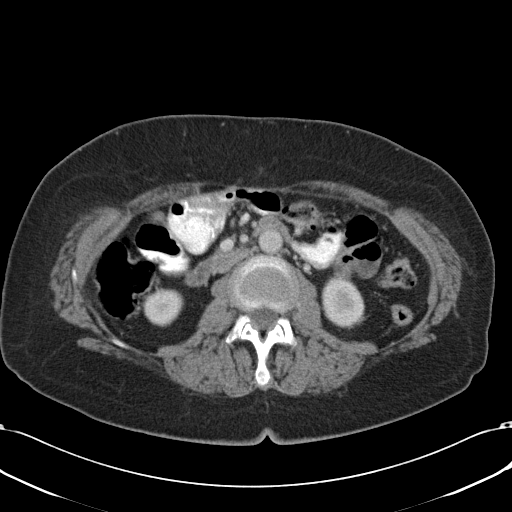
Abdominal CT with intravenous contrast, axial plane, 120 kVp, kernel B31f. Slice 55/90 from the bottom of the scan; thickness 5.00 mm; pixel size 0.707 mm.
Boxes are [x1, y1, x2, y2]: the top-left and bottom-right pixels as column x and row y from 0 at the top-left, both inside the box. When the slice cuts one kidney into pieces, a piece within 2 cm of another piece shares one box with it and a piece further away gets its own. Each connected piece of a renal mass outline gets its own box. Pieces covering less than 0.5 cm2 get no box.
Boxed on this slice (two kidney boxes and one renal mass box), listed by box centre from the image's left to its right: (1) Right kidney, box [144, 289, 183, 326] (outlined area 1,156 px, about 5.8 cm2). (2) Left renal mass at [333, 262, 350, 281] (outlined area 259 px, about 1.3 cm2). (3) Left kidney at [323, 277, 362, 325] (outlined area 1,485 px, about 7.4 cm2).